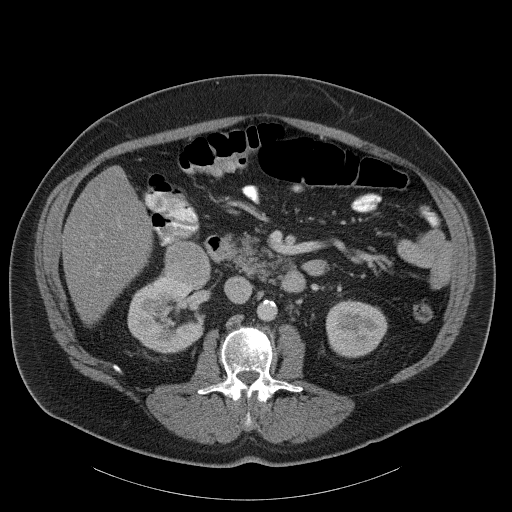
Contrast-enhanced abdominal CT, axial slice 63 of 107 (counted from the lowest slice); tube voltage 120 kVp, convolution kernel B31f; slices 5.00 mm thick, 0.941 mm per pixel.
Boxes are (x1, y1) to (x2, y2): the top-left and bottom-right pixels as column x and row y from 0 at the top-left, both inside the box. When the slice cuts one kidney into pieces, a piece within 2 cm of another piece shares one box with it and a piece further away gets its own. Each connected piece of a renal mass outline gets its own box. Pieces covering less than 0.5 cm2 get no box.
Two kidney boxes and one renal mass box on this slice; by box centre, from the image's left to its right: (1) Right kidney from (127, 275) to (203, 353) (outlined area 4,279 px, about 37.9 cm2). (2) Right renal mass from (164, 241) to (210, 288) (outlined area 1,856 px, about 16.4 cm2). (3) Box (326, 299) to (387, 357): left kidney (outlined area 2,820 px, about 25.0 cm2).